One axial slice (49 of 85, counting up from the lowest) of an arterial-phase abdominal CT acquired with 120 kVp, kernel FC19; each pixel is 0.741 mm and the slice is 5.00 mm thick.
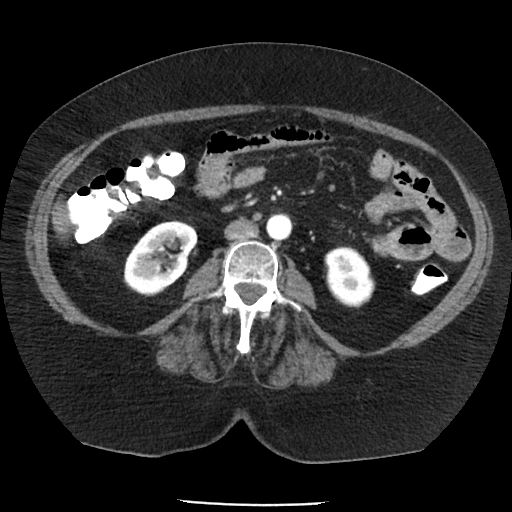
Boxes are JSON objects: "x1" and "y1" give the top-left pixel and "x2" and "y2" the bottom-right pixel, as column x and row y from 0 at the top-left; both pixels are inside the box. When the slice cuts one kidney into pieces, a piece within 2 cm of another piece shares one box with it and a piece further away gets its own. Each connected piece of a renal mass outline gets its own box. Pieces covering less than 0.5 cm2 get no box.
Two boxes on this slice (two kidney boxes), listed by box centre from the image's left to its right. (1) Right kidney, box {"x1": 123, "y1": 220, "x2": 198, "y2": 296} (outlined area 3,917 px, about 21.5 cm2). (2) Left kidney, box {"x1": 324, "y1": 246, "x2": 375, "y2": 307} (outlined area 2,401 px, about 13.2 cm2). No renal mass is outlined on this slice.